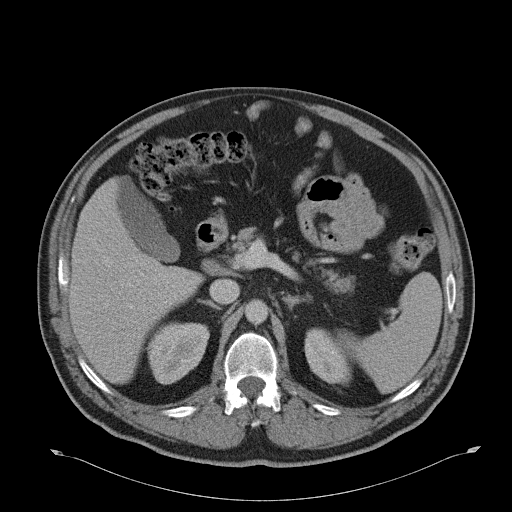
One axial slice (28 of 51, counting up from the lowest) of a contrast-enhanced abdominal CT acquired with 120 kVp, kernel B31f; each pixel is 0.865 mm and the slice is 5.00 mm thick.
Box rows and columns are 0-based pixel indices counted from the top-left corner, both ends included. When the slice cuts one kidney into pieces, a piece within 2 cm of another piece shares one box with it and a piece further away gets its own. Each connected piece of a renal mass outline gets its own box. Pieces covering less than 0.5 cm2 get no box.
Two kidney boxes on this slice; by box centre, from the image's left to its right: (1) Box rows 322–384, columns 146–209: right kidney (outlined area 2,957 px, about 22.1 cm2). (2) Box rows 328–385, columns 304–351: left kidney (outlined area 1,952 px, about 14.6 cm2). No renal mass is outlined on this slice.